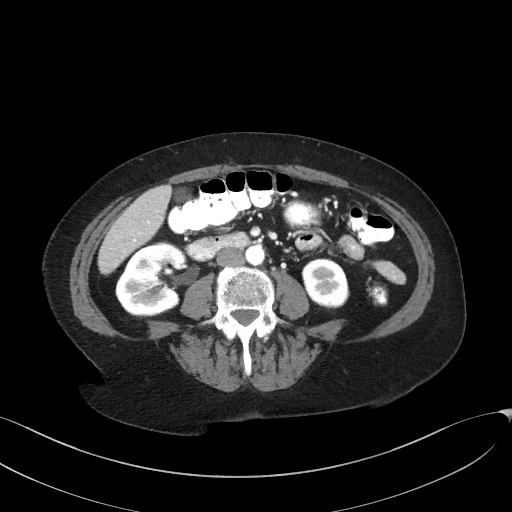
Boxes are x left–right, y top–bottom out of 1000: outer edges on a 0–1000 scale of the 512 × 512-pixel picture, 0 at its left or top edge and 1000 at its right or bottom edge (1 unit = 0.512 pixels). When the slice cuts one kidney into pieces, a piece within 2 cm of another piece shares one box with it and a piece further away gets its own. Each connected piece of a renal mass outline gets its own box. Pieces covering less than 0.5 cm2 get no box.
Slice 77/129 of a contrast-enhanced abdominal CT in the arterial phase, counting up from the lowest; pixel size 0.779 mm, slice thickness 3.00 mm. Boxed on this slice (two kidney boxes), listed by box centre from the image's left to its right: (1) Right kidney, box x 225–367, y 475–617 out of 1000 (outlined area 3,966 px, about 24.1 cm2). (2) Left kidney at x 590–684, y 504–604 out of 1000 (outlined area 1,888 px, about 11.5 cm2). This slice carries no renal mass outline.
Tube voltage 100 kVp; convolution kernel I41f.